Axial slice 287 of 705 of a contrast-enhanced abdominal CT in the arterial phase (slice 1 is the lowest), 120 kVp, kernel I30f; 1.00 mm slice thickness and 0.703 mm pixels.
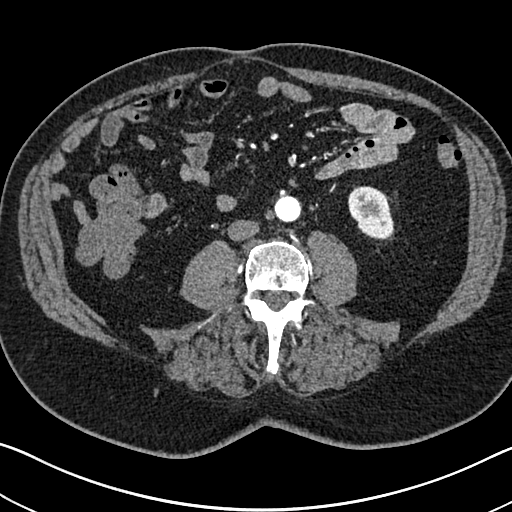
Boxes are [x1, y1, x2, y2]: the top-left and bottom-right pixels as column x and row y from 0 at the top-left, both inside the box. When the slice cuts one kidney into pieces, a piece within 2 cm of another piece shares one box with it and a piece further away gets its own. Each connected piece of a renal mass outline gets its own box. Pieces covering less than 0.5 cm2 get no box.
Left kidney, box [348, 186, 394, 240] (outlined area 1,922 px, about 9.5 cm2). This slice carries no renal mass outline.